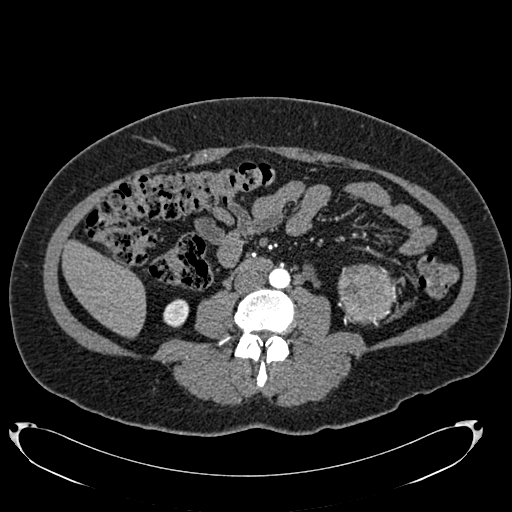
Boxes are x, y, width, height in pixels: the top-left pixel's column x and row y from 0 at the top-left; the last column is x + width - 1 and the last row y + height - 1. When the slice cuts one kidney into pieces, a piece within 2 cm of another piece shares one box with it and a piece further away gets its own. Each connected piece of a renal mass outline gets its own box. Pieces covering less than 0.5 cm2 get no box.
Slice 322/634 of a contrast-enhanced abdominal CT in the arterial phase, counting up from the lowest; pixel size 0.838 mm, slice thickness 1.00 mm. Two boxes on this slice (one kidney box and one renal mass box), listed by box centre from the image's left to its right. (1) Box x 163, y 299, width 27, height 29: right kidney (outlined area 584 px, about 4.1 cm2). (2) Box x 338, y 264, width 59, height 61: left renal mass (outlined area 2,844 px, about 20.0 cm2); on this slice it lies more than 1 cm from any kidney outline, but the same outlined renal mass comes within 1 cm of the kidney on another slice.
Scan settings: 120 kVp, B20f reconstruction kernel.